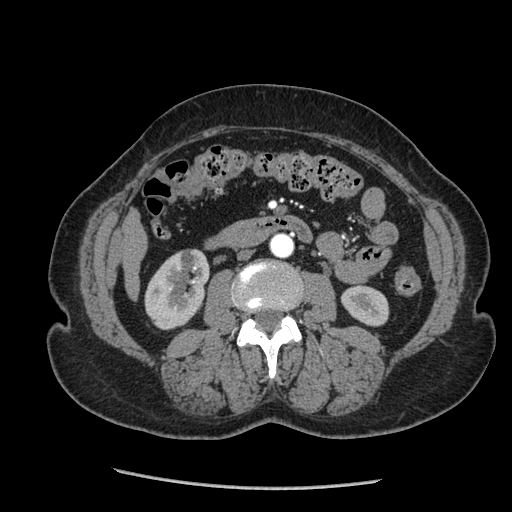
Arterial-phase contrast-enhanced abdominal CT, axial slice 102 of 233 (counted from the lowest slice); tube voltage 120 kVp, convolution kernel STANDARD; slices 1.25 mm thick, 0.703 mm per pixel.
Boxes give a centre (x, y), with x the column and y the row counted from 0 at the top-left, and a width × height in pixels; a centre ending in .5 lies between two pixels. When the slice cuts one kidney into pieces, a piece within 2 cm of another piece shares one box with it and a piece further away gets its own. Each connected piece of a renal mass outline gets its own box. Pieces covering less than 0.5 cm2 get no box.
Two kidney boxes on this slice; by box centre, from the image's left to its right: (1) Right kidney in a box with centre (176.5, 289), 66 × 83 pixels (outlined area 3,894 px, about 19.3 cm2). (2) Left kidney, box centre (364.5, 305), 50 × 43 pixels (outlined area 1,540 px, about 7.6 cm2). This slice carries no renal mass outline.